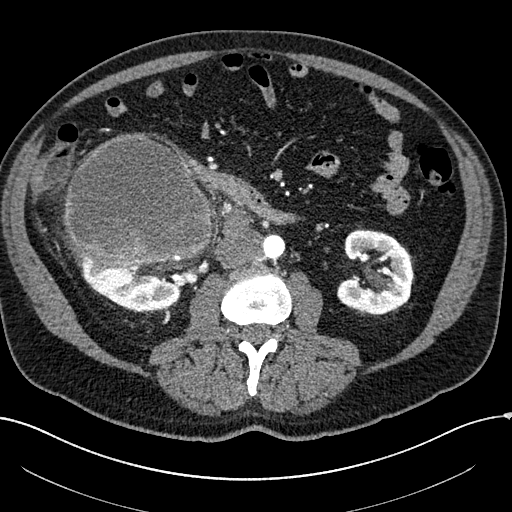
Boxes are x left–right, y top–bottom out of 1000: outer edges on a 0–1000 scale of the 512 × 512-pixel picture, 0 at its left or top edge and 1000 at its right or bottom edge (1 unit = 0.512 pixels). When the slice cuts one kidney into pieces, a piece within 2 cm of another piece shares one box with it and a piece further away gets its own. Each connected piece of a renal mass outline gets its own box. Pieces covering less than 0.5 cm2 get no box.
This is axial slice 86 of 304 (slice 1 is the lowest) of an arterial-phase abdominal CT with contrast; each pixel is 0.809 mm and the slice is 2.00 mm thick. Boxed on this slice (two kidney boxes and one renal mass box), listed by box centre from the image's left to its right: (1) Right kidney, box x 156–357, y 504–613 out of 1000 (outlined area 3,821 px, about 25.0 cm2). (2) Right renal mass at x 125–416, y 260–527 out of 1000 (outlined area 15,497 px, about 101.3 cm2). (3) Left kidney at x 656–811, y 445–617 out of 1000 (outlined area 4,838 px, about 31.6 cm2).
Scan settings: 100 kVp, I30f reconstruction kernel.